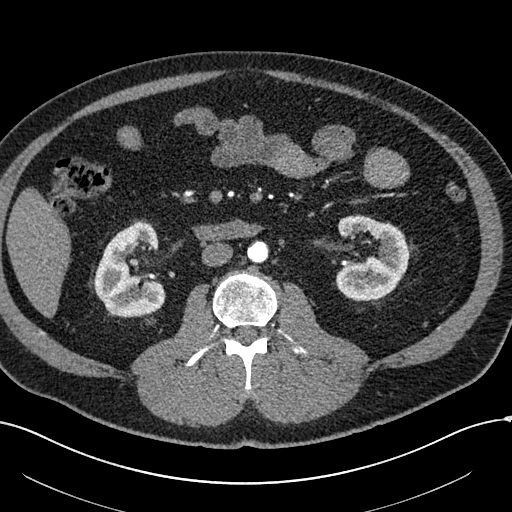
Abdominal CT with intravenous contrast, arterial phase, axial plane, 120 kVp, kernel I30f. Slice 286/602 from the bottom of the scan; thickness 1.00 mm; pixel size 0.799 mm.
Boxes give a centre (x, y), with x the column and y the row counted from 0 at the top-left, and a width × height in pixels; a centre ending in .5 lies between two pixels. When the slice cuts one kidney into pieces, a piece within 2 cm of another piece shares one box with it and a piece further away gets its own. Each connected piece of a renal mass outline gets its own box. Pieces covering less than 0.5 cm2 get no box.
Boxed on this slice (two kidney boxes), listed by box centre from the image's left to its right: (1) Right kidney, box centre (129.5, 269), 72 × 95 pixels (outlined area 4,771 px, about 30.4 cm2). (2) Left kidney, box centre (372, 258), 75 × 87 pixels (outlined area 4,557 px, about 29.1 cm2). No renal mass outline on this slice.